Abdominal CT with intravenous contrast, arterial phase, axial plane, 120 kVp, kernel I26f. Slice 295/548 from the bottom of the scan; thickness 1.00 mm; pixel size 0.852 mm.
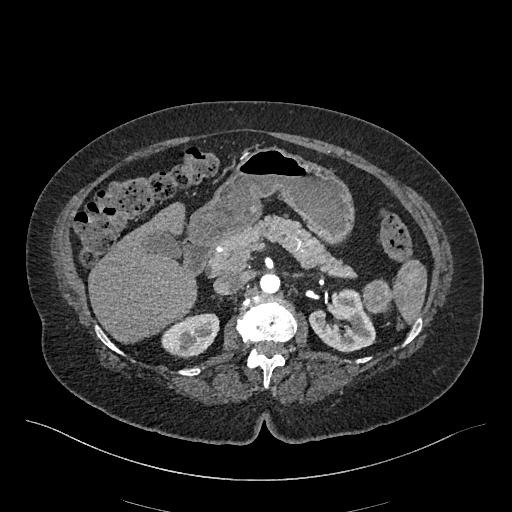
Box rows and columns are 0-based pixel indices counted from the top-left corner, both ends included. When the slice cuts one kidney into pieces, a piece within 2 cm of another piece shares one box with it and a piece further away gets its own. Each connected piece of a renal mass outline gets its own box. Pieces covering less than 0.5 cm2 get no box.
Two kidney boxes and one renal mass box on this slice; by box centre, from the image's left to its right: (1) Box rows 313–358, columns 161–219: right kidney (outlined area 1,922 px, about 13.9 cm2). (2) Left kidney at rows 288–352, columns 308–375 (outlined area 2,876 px, about 20.9 cm2). (3) Left renal mass at rows 279–313, columns 362–392 (outlined area 810 px, about 5.9 cm2).